Arterial-phase contrast-enhanced abdominal CT, axial slice 497 of 553 (counted from the lowest slice); tube voltage 120 kVp, convolution kernel B20f; slices 1.00 mm thick, 0.773 mm per pixel.
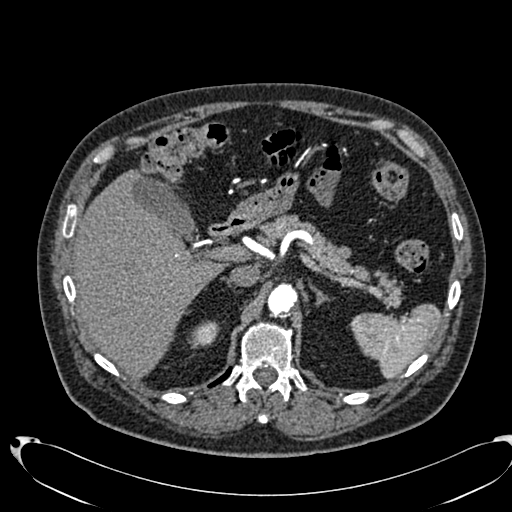
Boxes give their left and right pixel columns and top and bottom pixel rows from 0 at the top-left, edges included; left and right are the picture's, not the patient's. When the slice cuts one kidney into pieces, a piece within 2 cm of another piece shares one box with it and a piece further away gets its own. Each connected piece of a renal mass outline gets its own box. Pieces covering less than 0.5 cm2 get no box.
Box with left 188, top 320, right 219, bottom 348: right kidney (outlined area 595 px, about 3.6 cm2). No renal mass is outlined on this slice.